Axial slice 271 of 445 of a contrast-enhanced abdominal CT in the arterial phase (slice 1 is the lowest), 120 kVp, kernel STANDARD; 1.25 mm slice thickness and 0.863 mm pixels.
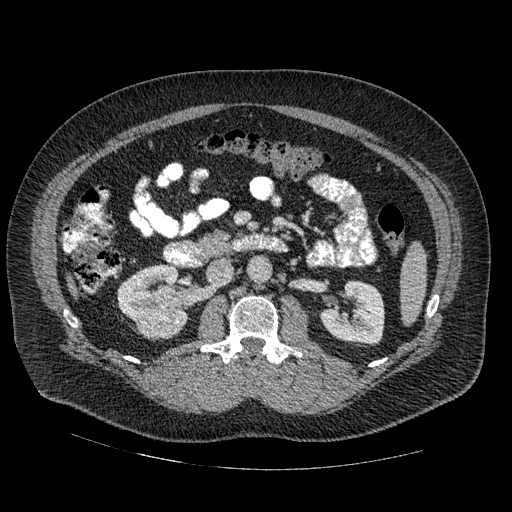
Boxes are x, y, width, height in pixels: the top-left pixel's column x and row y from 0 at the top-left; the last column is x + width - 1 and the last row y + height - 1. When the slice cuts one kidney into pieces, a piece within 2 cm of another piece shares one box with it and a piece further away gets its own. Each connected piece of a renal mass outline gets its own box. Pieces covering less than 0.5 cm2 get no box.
Boxed on this slice (two kidney boxes and one renal mass box), listed by box centre from the image's left to its right: (1) Box x 117, y 264, width 72, height 70: right kidney (outlined area 3,046 px, about 22.7 cm2). (2) Right renal mass, box x 134, y 309, width 42, height 31 (outlined area 945 px, about 7.0 cm2). (3) Left kidney at x 320, y 281, width 65, height 64 (outlined area 2,999 px, about 22.4 cm2).